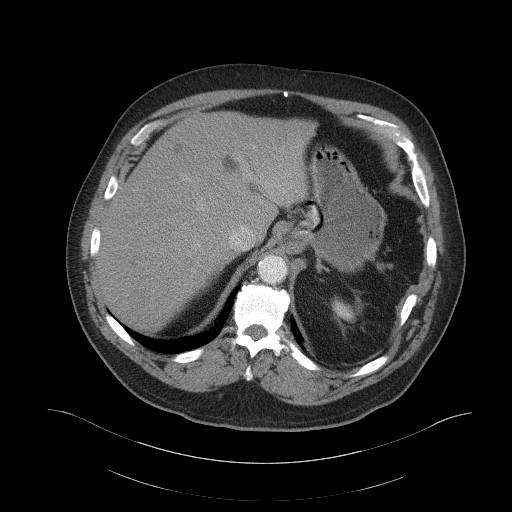
Abdominal CT with intravenous contrast, arterial phase, axial plane, 120 kVp, kernel B41f. Slice 86/103 from the bottom of the scan; thickness 5.00 mm; pixel size 0.951 mm.
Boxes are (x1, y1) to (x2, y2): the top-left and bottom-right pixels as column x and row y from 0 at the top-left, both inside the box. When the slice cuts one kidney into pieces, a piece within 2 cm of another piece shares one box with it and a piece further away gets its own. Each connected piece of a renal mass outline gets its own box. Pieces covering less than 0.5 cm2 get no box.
Left kidney, box (331, 296) to (356, 322) (outlined area 426 px, about 3.9 cm2). This slice carries no renal mass outline.